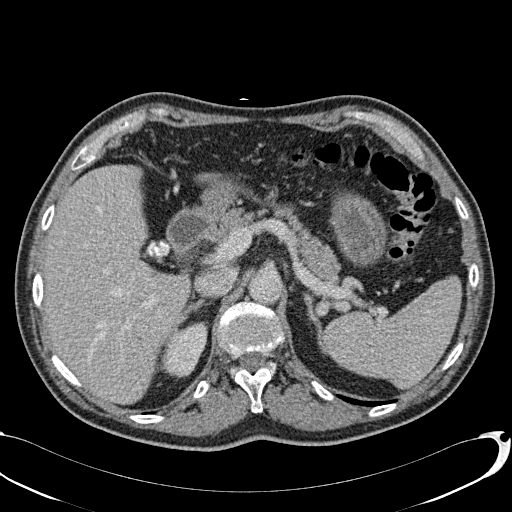
Abdominal CT with intravenous contrast, axial plane, 120 kVp, kernel B31f. Slice 67/113 from the bottom of the scan; thickness 2.00 mm; pixel size 0.742 mm.
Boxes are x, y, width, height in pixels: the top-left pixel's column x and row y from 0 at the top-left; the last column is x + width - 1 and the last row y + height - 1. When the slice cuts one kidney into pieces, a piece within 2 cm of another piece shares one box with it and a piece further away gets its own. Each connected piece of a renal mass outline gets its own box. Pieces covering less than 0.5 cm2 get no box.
Box x 160, y 321, width 48, height 58: right kidney (outlined area 1,877 px, about 10.3 cm2). No renal mass is outlined on this slice.